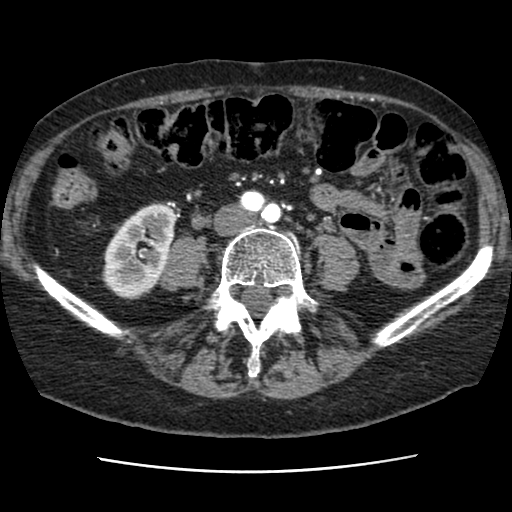
One axial slice (19 of 76, counting up from the lowest) of a contrast-enhanced abdominal CT acquired with 120 kVp, kernel STANDARD; each pixel is 0.586 mm and the slice is 2.50 mm thick.
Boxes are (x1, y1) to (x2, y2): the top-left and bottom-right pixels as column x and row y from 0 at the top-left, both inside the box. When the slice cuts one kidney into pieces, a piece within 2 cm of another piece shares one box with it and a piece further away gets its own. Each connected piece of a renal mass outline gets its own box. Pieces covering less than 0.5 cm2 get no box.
Right kidney, box (102, 202) to (175, 299) (outlined area 4,978 px, about 17.1 cm2). No renal mass is outlined on this slice.